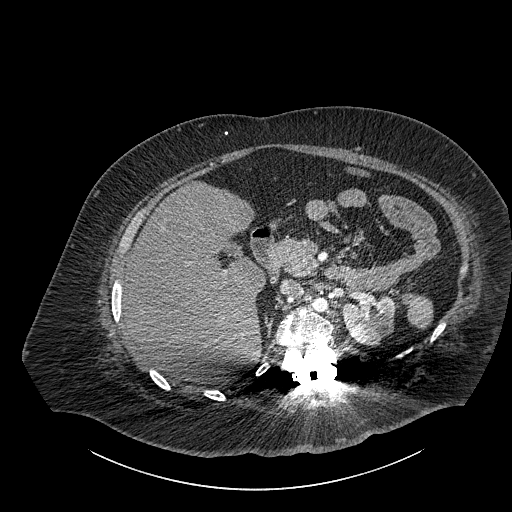
Abdominal CT with intravenous contrast, axial plane, 140 kVp, kernel I30f. Slice 598/834 from the bottom of the scan; thickness 1.00 mm; pixel size 0.977 mm.
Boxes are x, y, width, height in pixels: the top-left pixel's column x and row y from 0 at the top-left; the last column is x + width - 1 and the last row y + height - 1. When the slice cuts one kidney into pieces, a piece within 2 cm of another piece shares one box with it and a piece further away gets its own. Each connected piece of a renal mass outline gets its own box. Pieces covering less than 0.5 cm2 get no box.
Left part of the midline-crossing kidney, box x 342, y 294, width 53, height 52 (outlined area 2,081 px, about 19.8 cm2). No renal mass outline on this slice.